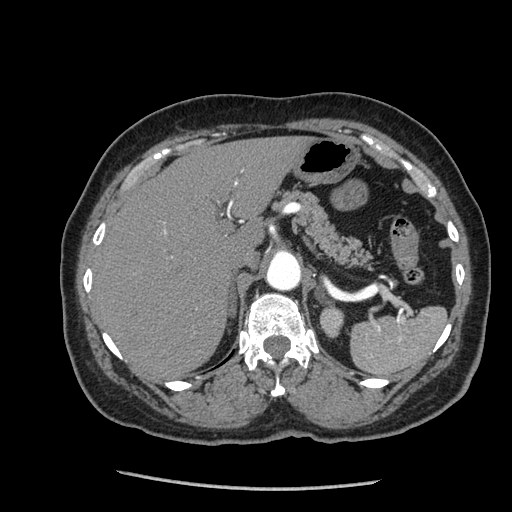
Abdominal CT with intravenous contrast, arterial phase, axial plane, 120 kVp, kernel STANDARD. Slice 167/233 from the bottom of the scan; thickness 1.25 mm; pixel size 0.703 mm.
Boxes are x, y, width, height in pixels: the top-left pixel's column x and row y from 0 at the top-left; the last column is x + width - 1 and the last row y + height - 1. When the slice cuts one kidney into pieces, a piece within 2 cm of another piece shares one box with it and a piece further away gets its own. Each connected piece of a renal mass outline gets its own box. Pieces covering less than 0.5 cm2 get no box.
Box x 319, y 307, width 26, height 32: left kidney (outlined area 617 px, about 3.1 cm2). This slice carries no renal mass outline.